Contrast-enhanced abdominal CT, axial slice 136 of 178 (counted from the lowest slice); tube voltage 100 kVp, convolution kernel I30f; slices 5.00 mm thick, 0.650 mm per pixel.
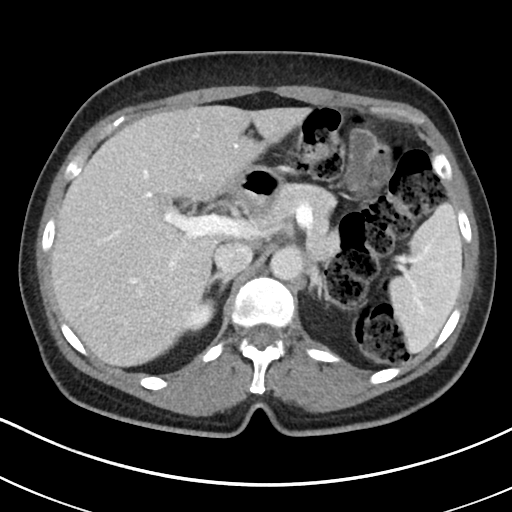
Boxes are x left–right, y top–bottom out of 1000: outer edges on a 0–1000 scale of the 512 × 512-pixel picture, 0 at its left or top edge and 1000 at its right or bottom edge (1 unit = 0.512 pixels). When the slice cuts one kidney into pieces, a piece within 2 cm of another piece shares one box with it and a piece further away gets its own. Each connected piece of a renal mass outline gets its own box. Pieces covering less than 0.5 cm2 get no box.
Box x 354–426, y 580–650 out of 1000: right kidney (outlined area 782 px, about 3.3 cm2). No renal mass is outlined on this slice.